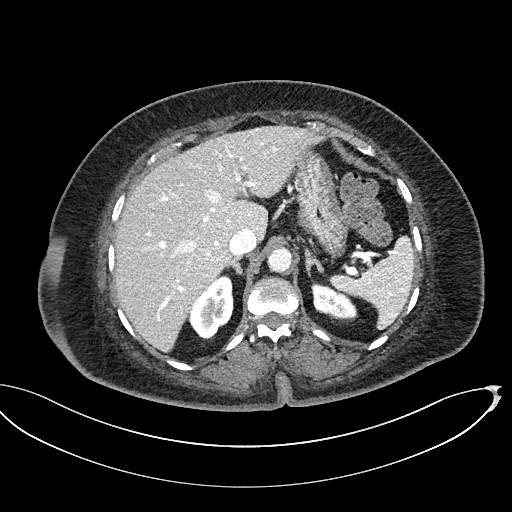
Contrast-enhanced abdominal CT, axial slice 358 of 439 (counted from the lowest slice); tube voltage 100 kVp, convolution kernel I40f; slices 2.00 mm thick, 0.850 mm per pixel.
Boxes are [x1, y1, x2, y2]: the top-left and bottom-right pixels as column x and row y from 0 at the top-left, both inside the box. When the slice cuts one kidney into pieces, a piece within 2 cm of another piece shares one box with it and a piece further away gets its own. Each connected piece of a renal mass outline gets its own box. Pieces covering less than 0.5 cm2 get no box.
Boxed on this slice (two kidney boxes), listed by box centre from the image's left to its right: (1) Right kidney, box [188, 274, 233, 339] (outlined area 2,009 px, about 14.5 cm2). (2) Left kidney, box [311, 282, 357, 322] (outlined area 1,213 px, about 8.8 cm2). This slice carries no renal mass outline.